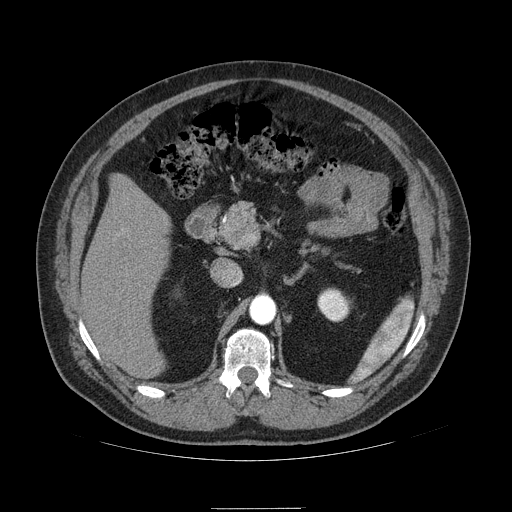
One axial slice (66 of 121, counting up from the lowest) of an arterial-phase abdominal CT acquired with 120 kVp, kernel STANDARD; each pixel is 0.861 mm and the slice is 2.50 mm thick.
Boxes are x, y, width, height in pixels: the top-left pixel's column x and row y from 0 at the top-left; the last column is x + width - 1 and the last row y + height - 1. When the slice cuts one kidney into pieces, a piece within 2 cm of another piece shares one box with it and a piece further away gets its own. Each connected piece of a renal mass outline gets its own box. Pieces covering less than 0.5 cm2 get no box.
Box x 317, y 288, width 33, height 34: left kidney (outlined area 819 px, about 6.1 cm2). No renal mass is outlined on this slice.